Arterial-phase contrast-enhanced abdominal CT, axial slice 726 of 987 (counted from the lowest slice); tube voltage 120 kVp, convolution kernel I26f; slices 1.00 mm thick, 0.977 mm per pixel.
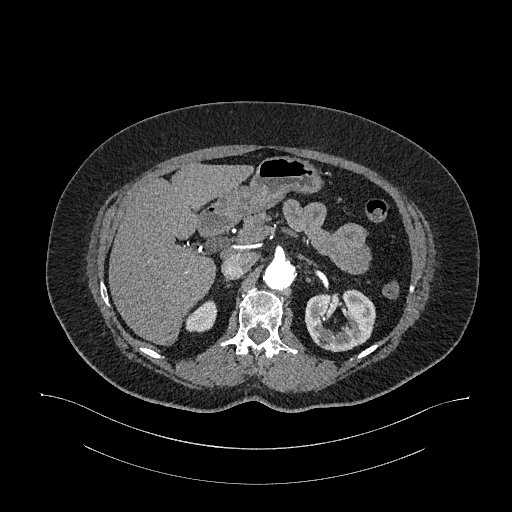
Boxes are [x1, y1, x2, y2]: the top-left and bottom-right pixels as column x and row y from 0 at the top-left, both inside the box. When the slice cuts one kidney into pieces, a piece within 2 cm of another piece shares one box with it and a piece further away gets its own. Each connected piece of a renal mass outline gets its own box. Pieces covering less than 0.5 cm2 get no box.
Two boxes on this slice (two kidney boxes), listed by box centre from the image's left to its right. (1) Right kidney at [185, 300, 217, 332] (outlined area 749 px, about 7.1 cm2). (2) Box [305, 288, 375, 352]: left kidney (outlined area 3,255 px, about 31.0 cm2). No renal mass is outlined on this slice.